Abdominal CT with intravenous contrast, arterial phase, axial plane, 120 kVp, kernel B20f. Slice 637/719 from the bottom of the scan; thickness 1.00 mm; pixel size 0.766 mm.
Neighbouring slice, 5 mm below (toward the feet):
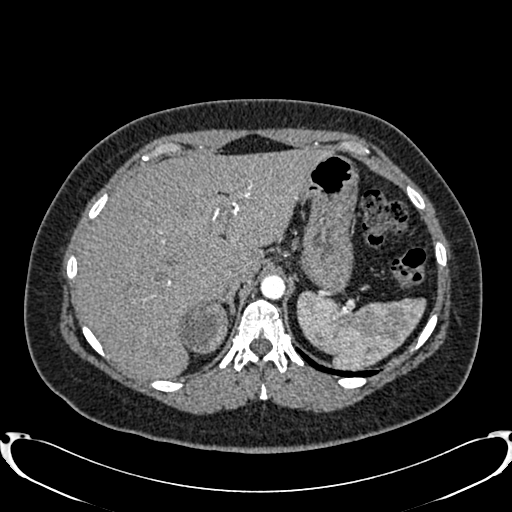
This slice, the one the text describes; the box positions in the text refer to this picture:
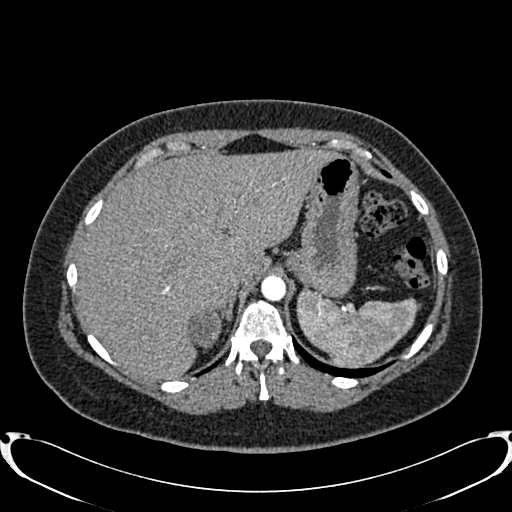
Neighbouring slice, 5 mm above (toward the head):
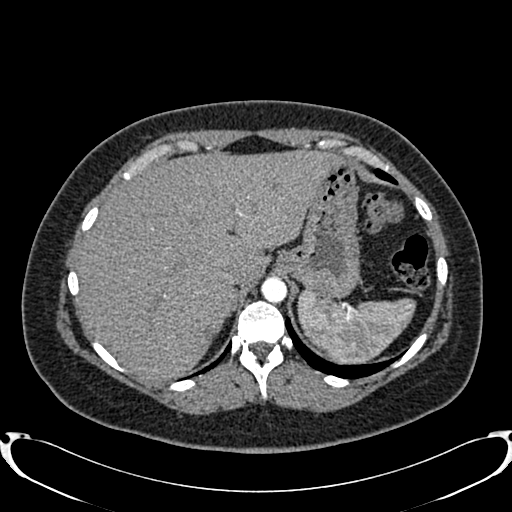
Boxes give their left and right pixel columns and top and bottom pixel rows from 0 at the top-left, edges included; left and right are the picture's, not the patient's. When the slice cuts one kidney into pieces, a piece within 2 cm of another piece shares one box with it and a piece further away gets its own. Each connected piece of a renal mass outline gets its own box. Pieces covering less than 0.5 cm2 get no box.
Right renal mass, the box with left 187, top 306, right 221, bottom 348 (outlined area 1,165 px, about 6.8 cm2); this slice has no kidney outline, though on another slice the same outlined renal mass lies within 1 cm of the kidney. This slice is near the end of the right renal mass toward the head, so the slices 5 mm below and 5 mm above it are shown as well; the boxes refer to this slice only.